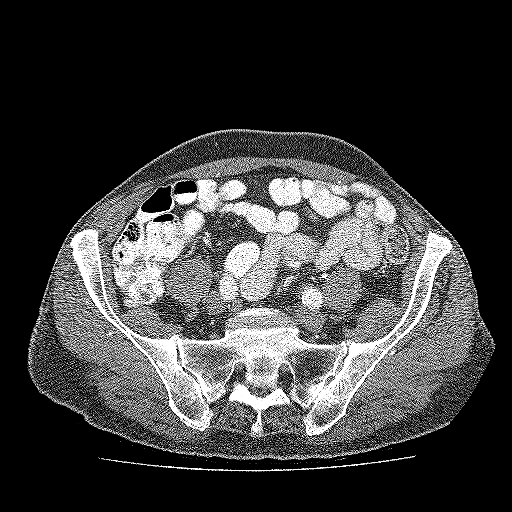
Contrast-enhanced abdominal CT, axial slice 56 of 137 (counted from the lowest slice); 3.00 mm thick, 0.741 mm per pixel. This slice carries no outline: it lies beyond the outlined kidneys and beyond every outlined renal mass. Other organs are not outlined in this scan.
Tube voltage 120 kVp; convolution kernel FC52.